One axial slice (462 of 634, counting up from the lowest) of an arterial-phase abdominal CT acquired with 120 kVp, kernel B20f; each pixel is 0.838 mm and the slice is 1.00 mm thick.
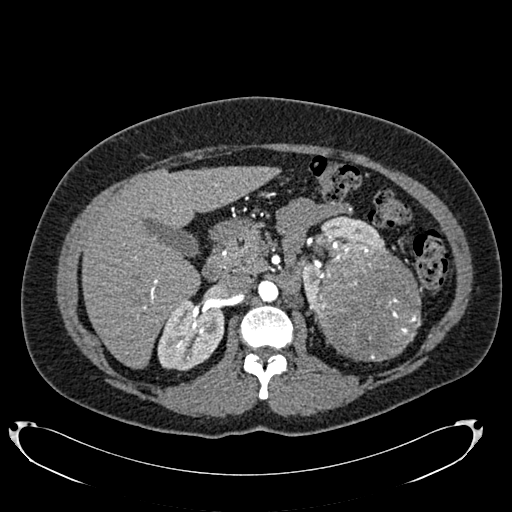
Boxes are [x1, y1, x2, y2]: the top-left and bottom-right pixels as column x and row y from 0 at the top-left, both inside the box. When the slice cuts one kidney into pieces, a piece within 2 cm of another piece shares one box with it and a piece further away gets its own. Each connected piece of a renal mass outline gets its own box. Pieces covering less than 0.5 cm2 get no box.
Three boxes on this slice (two kidney boxes and one renal mass box), listed by box centre from the image's left to its right. (1) Box [157, 297, 224, 370]: right kidney (outlined area 3,646 px, about 25.6 cm2). (2) Left kidney, box [300, 215, 385, 312] (outlined area 2,540 px, about 17.8 cm2). (3) Left renal mass at [313, 242, 421, 361] (outlined area 10,209 px, about 71.7 cm2).